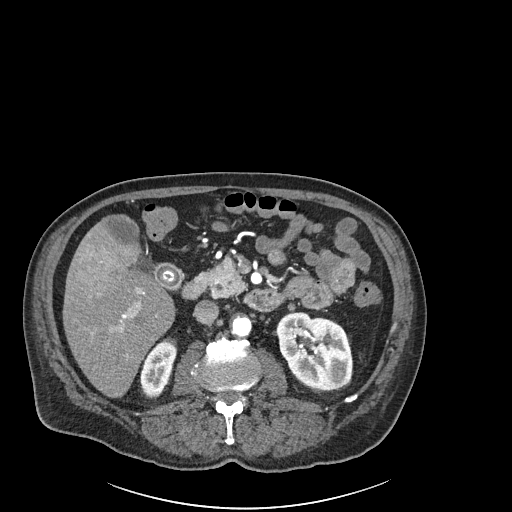
Abdominal CT with intravenous contrast, arterial phase, axial plane, 120 kVp, kernel I30f. Slice 106/261 from the bottom of the scan; thickness 2.00 mm; pixel size 0.939 mm.
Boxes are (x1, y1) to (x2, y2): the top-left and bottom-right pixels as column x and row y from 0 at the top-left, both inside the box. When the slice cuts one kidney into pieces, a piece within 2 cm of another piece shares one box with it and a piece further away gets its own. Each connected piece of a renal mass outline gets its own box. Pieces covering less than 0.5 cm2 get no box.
Boxed on this slice (two kidney boxes), listed by box centre from the image's left to its right: (1) Right kidney from (139, 341) to (176, 394) (outlined area 1,365 px, about 12.0 cm2). (2) Left kidney, box (276, 312) to (352, 389) (outlined area 4,560 px, about 40.2 cm2). No renal mass is outlined on this slice.